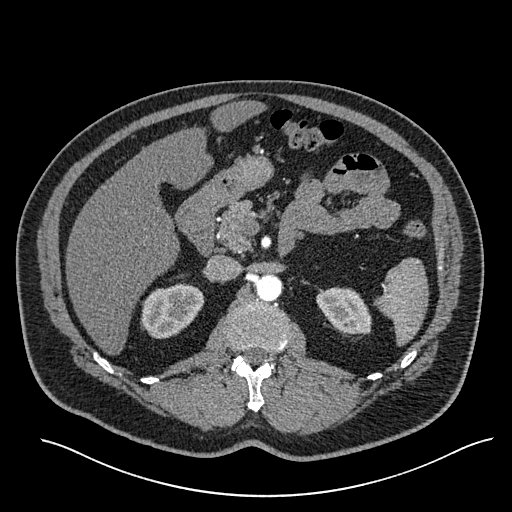
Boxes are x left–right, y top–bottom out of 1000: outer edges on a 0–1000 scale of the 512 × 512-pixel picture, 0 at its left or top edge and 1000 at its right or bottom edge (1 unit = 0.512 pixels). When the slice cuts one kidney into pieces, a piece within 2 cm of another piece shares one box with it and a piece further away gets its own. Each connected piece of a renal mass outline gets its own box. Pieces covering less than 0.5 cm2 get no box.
Arterial-phase contrast-enhanced abdominal CT, axial slice 377 of 527 (counted from the lowest slice); 1.00 mm thick, 0.859 mm per pixel. Two boxes on this slice (two kidney boxes), listed by box centre from the image's left to its right. (1) Right kidney at x 273–400, y 553–662 out of 1000 (outlined area 2,614 px, about 19.3 cm2). (2) Left kidney, box x 617–727, y 559–654 out of 1000 (outlined area 1,951 px, about 14.4 cm2). This slice carries no renal mass outline.
Acquired at 120 kVp and reconstructed with the I30f kernel.